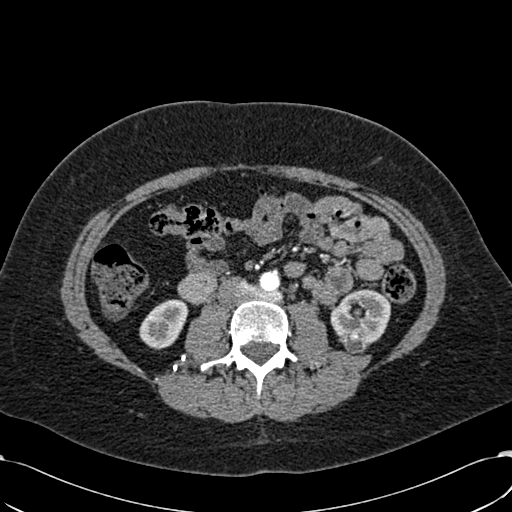
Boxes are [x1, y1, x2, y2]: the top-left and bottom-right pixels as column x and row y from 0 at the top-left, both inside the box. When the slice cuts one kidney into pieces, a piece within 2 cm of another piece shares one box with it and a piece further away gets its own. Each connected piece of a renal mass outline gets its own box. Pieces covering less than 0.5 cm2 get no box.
This is axial slice 286 of 532 (slice 1 is the lowest) of an arterial-phase abdominal CT with contrast; each pixel is 0.713 mm and the slice is 1.00 mm thick. Three boxes on this slice (two kidney boxes and one renal mass box), listed by box centre from the image's left to its right. (1) Box [139, 299, 188, 349]: right kidney (outlined area 1,765 px, about 9.0 cm2). (2) Left renal mass at [339, 333, 367, 354] (outlined area 440 px, about 2.2 cm2). (3) Box [330, 289, 391, 346]: left kidney (outlined area 2,380 px, about 12.1 cm2).
Acquired at 120 kVp and reconstructed with the B30f kernel.